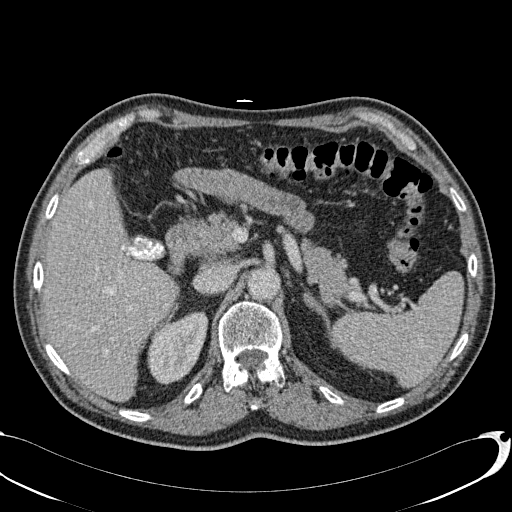
Axial slice 63 of 113 of a contrast-enhanced abdominal CT (slice 1 is the lowest), 120 kVp, kernel B31f; 2.00 mm slice thickness and 0.742 mm pixels.
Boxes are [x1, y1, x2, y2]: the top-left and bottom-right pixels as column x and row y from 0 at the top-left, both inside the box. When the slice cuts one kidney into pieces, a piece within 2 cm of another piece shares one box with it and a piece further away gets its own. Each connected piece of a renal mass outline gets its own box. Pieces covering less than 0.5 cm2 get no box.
Right kidney at [147, 310, 208, 385] (outlined area 3,114 px, about 17.2 cm2). No renal mass is outlined on this slice.